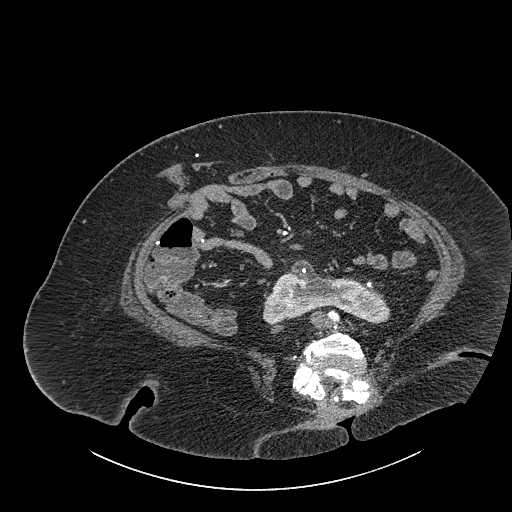
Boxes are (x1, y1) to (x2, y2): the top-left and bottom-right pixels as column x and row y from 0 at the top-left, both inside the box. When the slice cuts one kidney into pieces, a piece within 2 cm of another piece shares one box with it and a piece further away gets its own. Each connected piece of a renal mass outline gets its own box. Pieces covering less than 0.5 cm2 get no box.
Contrast-enhanced abdominal CT, axial slice 441 of 834 (counted from the lowest slice); 1.00 mm thick, 0.977 mm per pixel. Box (263, 259) to (389, 325): kidney crossing the body midline (outlined area 4,729 px, about 45.1 cm2). This slice carries no renal mass outline.
Tube voltage 140 kVp; convolution kernel I30f.